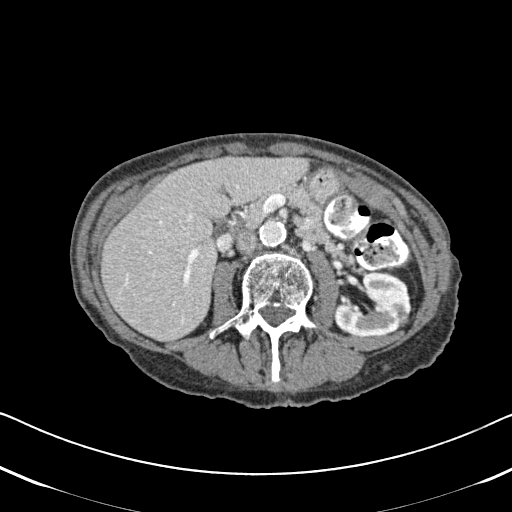
Abdominal CT with intravenous contrast, arterial phase, axial plane, 120 kVp, kernel B31f. Slice 290/620 from the bottom of the scan; thickness 2.00 mm; pixel size 0.637 mm.
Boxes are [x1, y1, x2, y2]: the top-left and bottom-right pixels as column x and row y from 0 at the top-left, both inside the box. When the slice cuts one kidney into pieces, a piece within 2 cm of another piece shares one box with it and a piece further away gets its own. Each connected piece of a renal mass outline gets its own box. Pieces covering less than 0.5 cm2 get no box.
Box [334, 272, 412, 337]: left kidney (outlined area 3,661 px, about 14.8 cm2). This slice carries no renal mass outline.